One axial slice (213 of 620, counting up from the lowest) of an arterial-phase abdominal CT acquired with 120 kVp, kernel B31f; each pixel is 0.637 mm and the slice is 2.00 mm thick.
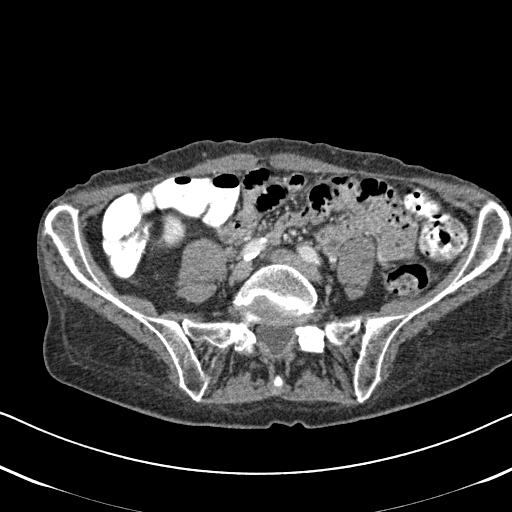
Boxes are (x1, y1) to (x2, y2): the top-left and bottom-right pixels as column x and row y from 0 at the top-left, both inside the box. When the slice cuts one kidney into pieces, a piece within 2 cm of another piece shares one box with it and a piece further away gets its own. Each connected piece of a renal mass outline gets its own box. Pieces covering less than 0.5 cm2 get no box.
Right kidney from (157, 211) to (187, 249) (outlined area 839 px, about 3.4 cm2). No renal mass is outlined on this slice.